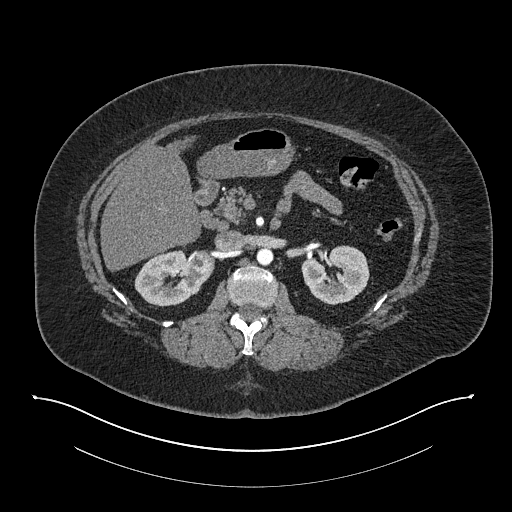
Arterial-phase contrast-enhanced abdominal CT, axial slice 495 of 673 (counted from the lowest slice); tube voltage 140 kVp, convolution kernel I30f; slices 1.00 mm thick, 0.957 mm per pixel.
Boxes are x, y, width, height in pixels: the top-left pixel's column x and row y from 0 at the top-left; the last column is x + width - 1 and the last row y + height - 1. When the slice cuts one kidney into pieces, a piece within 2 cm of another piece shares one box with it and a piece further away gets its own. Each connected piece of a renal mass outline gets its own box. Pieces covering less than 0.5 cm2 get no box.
Two kidney boxes and one renal mass box on this slice; by box centre, from the image's left to its right: (1) Box x 134, y 249, width 80, height 58: right kidney (outlined area 2,897 px, about 26.5 cm2). (2) Box x 189, y 249, width 26, height 23: right renal mass (outlined area 470 px, about 4.3 cm2). (3) Left kidney at x 301, y 245, width 69, height 60 (outlined area 3,023 px, about 27.7 cm2).